Arterial-phase contrast-enhanced abdominal CT, axial slice 556 of 612 (counted from the lowest slice); tube voltage 120 kVp, convolution kernel I30f; slices 1.00 mm thick, 0.703 mm per pixel.
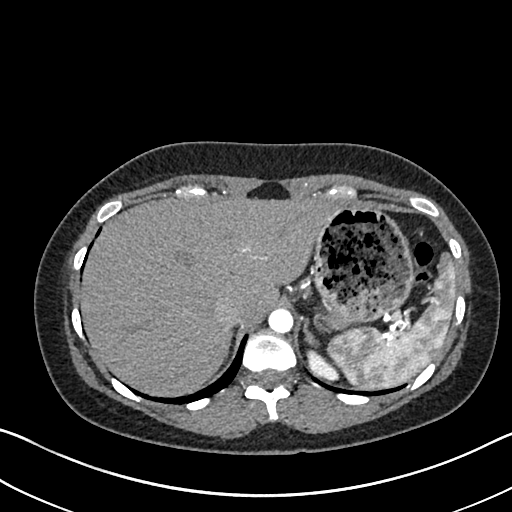
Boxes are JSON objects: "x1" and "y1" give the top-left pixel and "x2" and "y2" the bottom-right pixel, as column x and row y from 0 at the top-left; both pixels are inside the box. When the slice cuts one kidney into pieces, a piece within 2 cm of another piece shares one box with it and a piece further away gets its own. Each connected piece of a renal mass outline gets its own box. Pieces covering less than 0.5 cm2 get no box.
Box {"x1": 306, "y1": 349, "x2": 339, "y2": 380}: left kidney (outlined area 625 px, about 3.1 cm2). No renal mass is outlined on this slice.